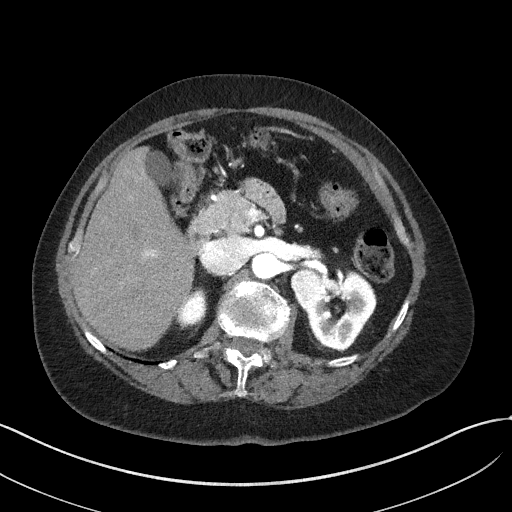
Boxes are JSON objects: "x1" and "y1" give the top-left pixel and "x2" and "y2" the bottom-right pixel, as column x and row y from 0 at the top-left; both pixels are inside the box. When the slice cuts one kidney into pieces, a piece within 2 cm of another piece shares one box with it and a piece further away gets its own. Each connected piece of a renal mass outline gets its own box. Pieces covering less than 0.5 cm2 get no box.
Arterial-phase contrast-enhanced abdominal CT, axial slice 34 of 50 (counted from the lowest slice); 3.00 mm thick, 0.758 mm per pixel. Two kidney boxes and one renal mass box on this slice; by box centre, from the image's left to its right: (1) Right kidney at {"x1": 177, "y1": 289, "x2": 207, "y2": 328} (outlined area 848 px, about 4.9 cm2). (2) Box {"x1": 290, "y1": 269, "x2": 320, "y2": 308}: left renal mass (outlined area 951 px, about 5.5 cm2). (3) Left kidney at {"x1": 304, "y1": 271, "x2": 376, "y2": 349} (outlined area 3,531 px, about 20.3 cm2).
Tube voltage 100 kVp; convolution kernel I41f.